Axial slice 13 of 43 of a contrast-enhanced abdominal CT (slice 1 is the lowest), 120 kVp, kernel B31f; 5.00 mm slice thickness and 0.701 mm pixels.
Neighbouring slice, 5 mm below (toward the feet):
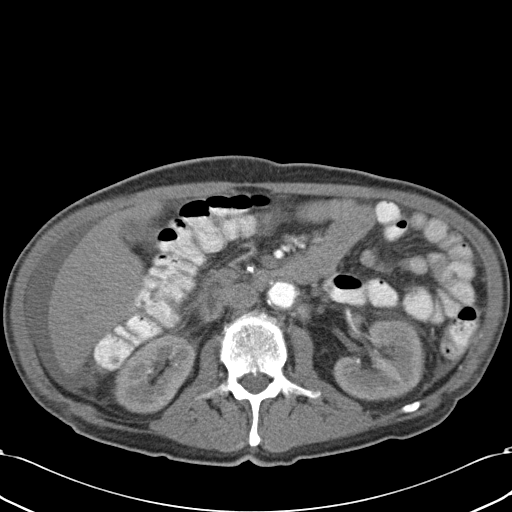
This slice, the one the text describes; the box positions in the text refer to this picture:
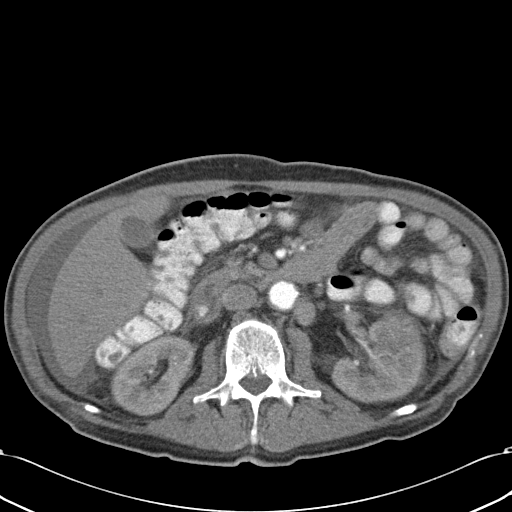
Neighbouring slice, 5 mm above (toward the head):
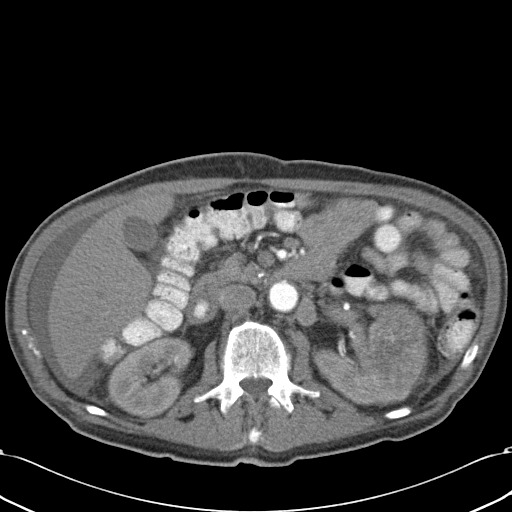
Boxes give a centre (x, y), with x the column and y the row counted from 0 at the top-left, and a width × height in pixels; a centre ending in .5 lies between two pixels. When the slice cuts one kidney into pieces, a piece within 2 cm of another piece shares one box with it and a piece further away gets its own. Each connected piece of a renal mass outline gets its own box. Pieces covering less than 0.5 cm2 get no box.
Two kidney boxes and one renal mass box on this slice; by box centre, from the image's left to its right: (1) Right kidney in a box with centre (154, 375), 87 × 83 pixels (outlined area 4,827 px, about 23.7 cm2). (2) Left kidney, box centre (377.5, 357.5), 94 × 92 pixels (outlined area 4,437 px, about 21.8 cm2). (3) Box centre (399, 339), 49 × 61 pixels: left renal mass (outlined area 1,870 px, about 9.2 cm2). This slice lies near the end of the left renal mass toward the feet; the slices 5 mm below and 5 mm above it are shown too, and the boxes mark positions on this slice only.